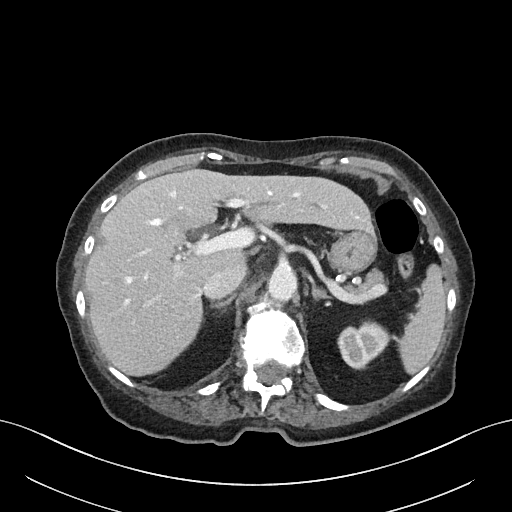
One axial slice (48 of 76, counting up from the lowest) of a contrast-enhanced abdominal CT acquired with 100 kVp, kernel I40f; each pixel is 0.768 mm and the slice is 3.00 mm thick.
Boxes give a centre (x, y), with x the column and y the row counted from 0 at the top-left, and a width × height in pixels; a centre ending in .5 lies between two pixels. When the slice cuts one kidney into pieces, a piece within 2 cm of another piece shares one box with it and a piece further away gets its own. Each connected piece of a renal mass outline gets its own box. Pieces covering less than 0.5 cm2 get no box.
Left kidney, box centre (363.5, 344), 54 × 51 pixels (outlined area 1,832 px, about 10.8 cm2). This slice carries no renal mass outline.